Arterial-phase contrast-enhanced abdominal CT, axial slice 78 of 274 (counted from the lowest slice); tube voltage 120 kVp, convolution kernel B30f; slices 2.00 mm thick, 0.809 mm per pixel.
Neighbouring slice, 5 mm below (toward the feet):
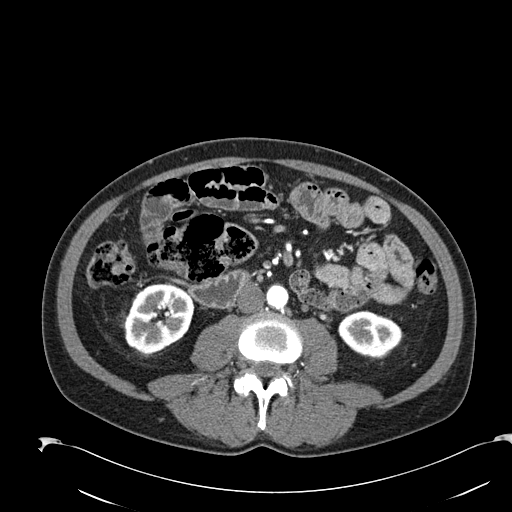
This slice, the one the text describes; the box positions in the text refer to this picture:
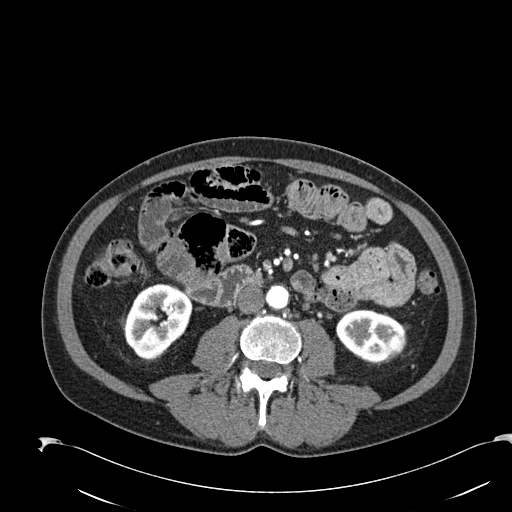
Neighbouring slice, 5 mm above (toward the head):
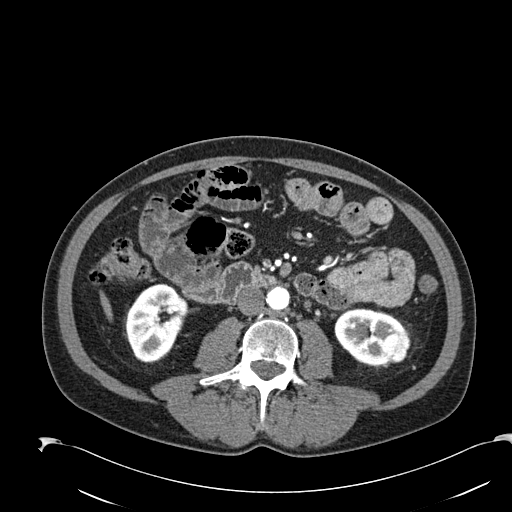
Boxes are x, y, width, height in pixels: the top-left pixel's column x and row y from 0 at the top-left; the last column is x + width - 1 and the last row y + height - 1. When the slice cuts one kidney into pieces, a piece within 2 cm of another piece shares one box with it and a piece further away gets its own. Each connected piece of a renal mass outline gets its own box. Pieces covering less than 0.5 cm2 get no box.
Two kidney boxes and one renal mass box on this slice; by box centre, from the image's left to its right: (1) Right kidney at x 124, y 283, width 69, height 79 (outlined area 3,780 px, about 24.7 cm2). (2) Box x 336, y 309, width 71, height 55: left kidney (outlined area 2,534 px, about 16.6 cm2). (3) Box x 385, y 334, width 22, height 24: left renal mass (outlined area 386 px, about 2.5 cm2). This slice is near the end of the left renal mass toward the feet, so the slices 5 mm below and 5 mm above it are shown as well; the boxes refer to this slice only.